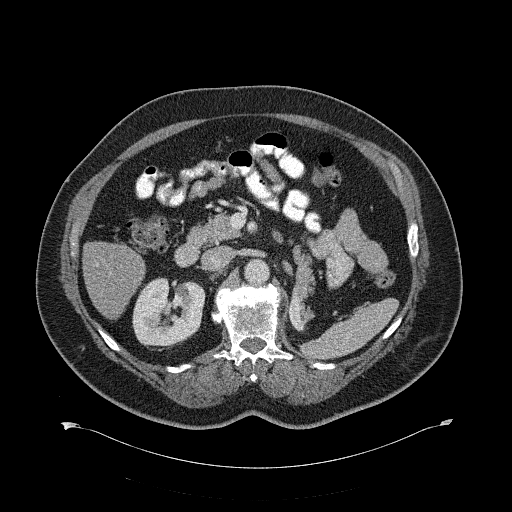
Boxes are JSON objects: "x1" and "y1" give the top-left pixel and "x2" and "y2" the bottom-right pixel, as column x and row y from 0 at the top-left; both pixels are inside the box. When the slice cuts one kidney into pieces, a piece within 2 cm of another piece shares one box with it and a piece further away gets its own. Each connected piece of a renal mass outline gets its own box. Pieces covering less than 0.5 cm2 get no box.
Slice 389/734 of a contrast-enhanced abdominal CT, counting up from the lowest; pixel size 0.971 mm, slice thickness 2.00 mm. Right kidney at {"x1": 132, "y1": 277, "x2": 205, "y2": 351} (outlined area 4,095 px, about 38.6 cm2). No renal mass is outlined on this slice.
Tube voltage 120 kVp; convolution kernel B31f.